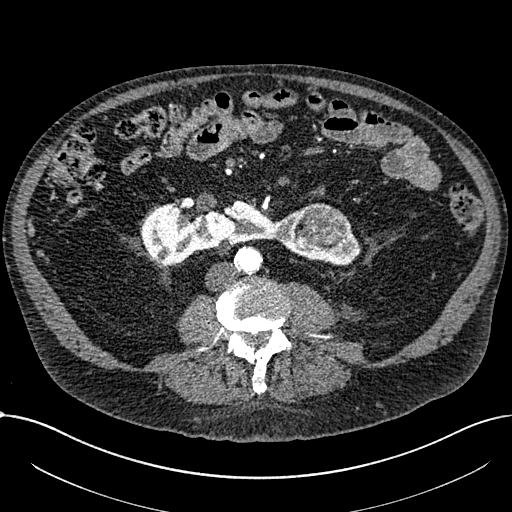
One axial slice (293 of 1059, counting up from the lowest) of an arterial-phase abdominal CT acquired with 100 kVp, kernel I30f; each pixel is 0.811 mm and the slice is 1.00 mm thick.
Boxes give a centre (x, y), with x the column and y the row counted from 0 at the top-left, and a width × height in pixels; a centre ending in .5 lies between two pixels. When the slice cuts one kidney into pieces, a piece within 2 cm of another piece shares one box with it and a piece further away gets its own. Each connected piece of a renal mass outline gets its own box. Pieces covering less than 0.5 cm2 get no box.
Two boxes on this slice (one kidney box and one renal mass box), listed by box centre from the image's left to its right. (1) Kidney crossing the body midline in a box with centre (250, 232.5), 221 × 68 pixels (outlined area 8,006 px, about 52.6 cm2). (2) Renal mass in a box with centre (321.5, 226.5), 54 × 48 pixels (outlined area 1,922 px, about 12.6 cm2).